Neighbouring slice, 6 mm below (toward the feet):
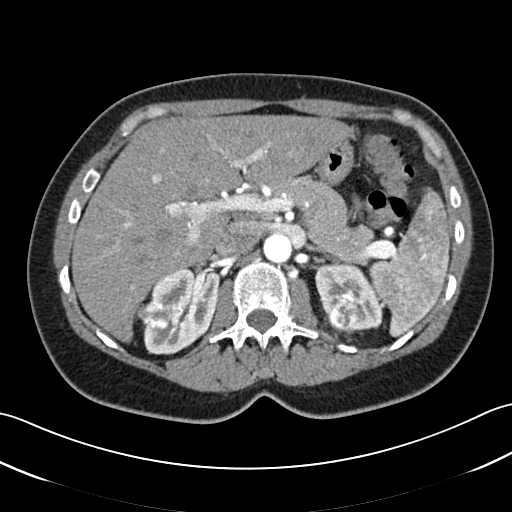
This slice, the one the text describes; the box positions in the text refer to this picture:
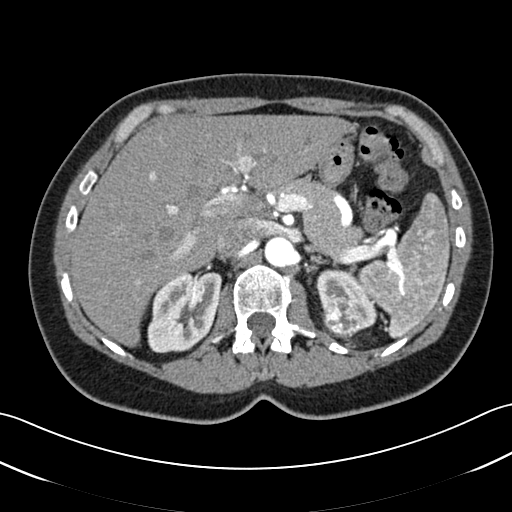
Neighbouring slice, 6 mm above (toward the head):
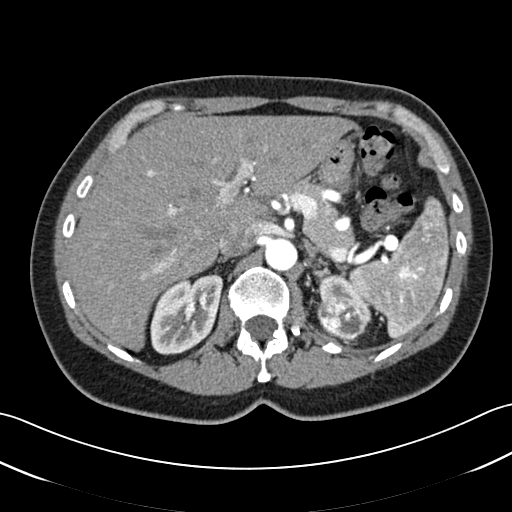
Arterial-phase contrast-enhanced abdominal CT, axial slice 35 of 52 (counted from the lowest slice); tube voltage 120 kVp, convolution kernel B30f; slices 3.00 mm thick, 0.678 mm per pixel.
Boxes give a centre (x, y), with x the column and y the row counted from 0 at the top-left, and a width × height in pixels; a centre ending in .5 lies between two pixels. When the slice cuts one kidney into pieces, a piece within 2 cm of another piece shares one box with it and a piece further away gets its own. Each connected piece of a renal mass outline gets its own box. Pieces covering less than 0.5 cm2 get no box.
Four boxes on this slice (two kidney boxes and two renal mass boxes), listed by box centre from the image's left to its right. (1) Right renal mass, box centre (167.5, 316), 26 × 23 pixels (outlined area 450 px, about 2.1 cm2). (2) Box centre (184.5, 312.5), 76 × 82 pixels: right kidney (outlined area 4,128 px, about 19.0 cm2). (3) Left renal mass in a box with centre (340.5, 317), 38 × 43 pixels (outlined area 1,218 px, about 5.6 cm2). (4) Left kidney in a box with centre (346, 299.5), 63 × 64 pixels (outlined area 1,808 px, about 8.3 cm2). This slice is near the end of the right renal mass toward the head, so the slices 6 mm below and 6 mm above it are shown as well; the boxes refer to this slice only.